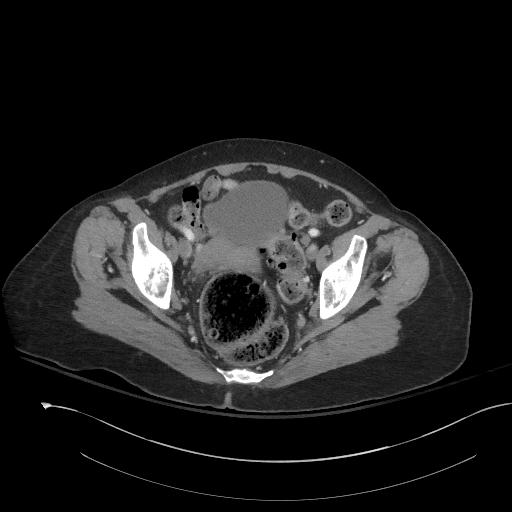
This is axial slice 38 of 153 (slice 1 is the lowest) of an abdominal CT with contrast; each pixel is 0.893 mm and the slice is 3.00 mm thick. This slice carries no outline: it lies beyond the outlined kidneys and beyond every outlined renal mass. Other organs are not outlined in this scan.
Scan settings: 120 kVp, I41f reconstruction kernel.